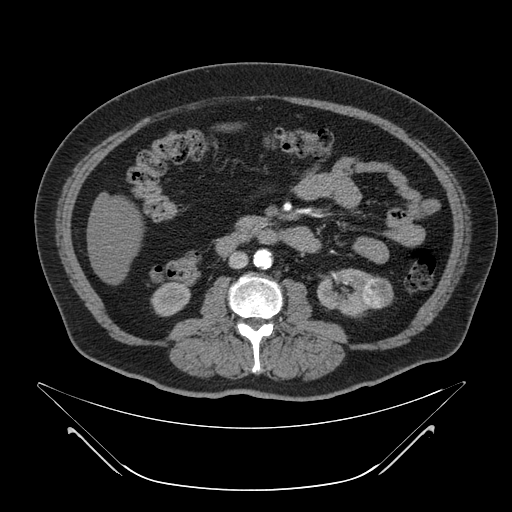
One axial slice (21 of 64, counting up from the lowest) of a contrast-enhanced abdominal CT acquired with 120 kVp, kernel B; each pixel is 0.977 mm and the slice is 4.00 mm thick.
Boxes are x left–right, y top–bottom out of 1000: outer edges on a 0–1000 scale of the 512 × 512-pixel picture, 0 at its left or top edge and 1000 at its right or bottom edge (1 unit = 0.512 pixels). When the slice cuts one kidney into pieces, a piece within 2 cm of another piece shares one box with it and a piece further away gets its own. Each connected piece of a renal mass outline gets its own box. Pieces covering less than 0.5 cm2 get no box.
Two kidney boxes and one renal mass box on this slice; by box centre, from the image's left to its right: (1) Right kidney at x 293–373, y 551–619 out of 1000 (outlined area 1,056 px, about 10.1 cm2). (2) Left kidney, box x 619–736, y 523–621 out of 1000 (outlined area 1,942 px, about 18.5 cm2). (3) Left renal mass, box x 707–770, y 537–605 out of 1000 (outlined area 806 px, about 7.7 cm2).